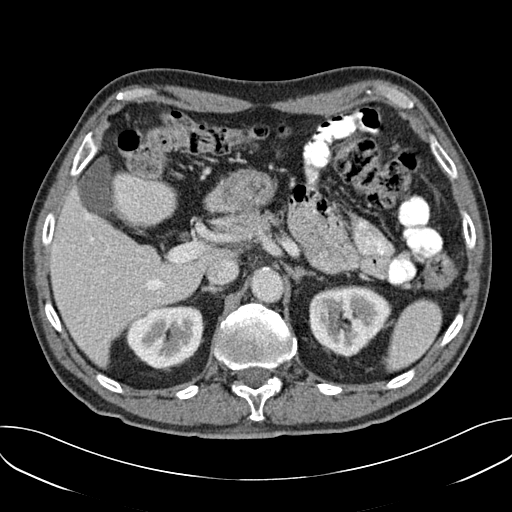
One axial slice (116 of 157, counting up from the lowest) of an arterial-phase abdominal CT acquired with 120 kVp, kernel B30f; each pixel is 0.742 mm and the slice is 3.00 mm thick.
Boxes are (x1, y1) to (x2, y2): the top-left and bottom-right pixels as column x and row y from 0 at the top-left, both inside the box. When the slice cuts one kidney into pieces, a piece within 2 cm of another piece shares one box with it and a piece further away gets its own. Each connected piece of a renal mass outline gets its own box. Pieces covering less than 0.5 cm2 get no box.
Two kidney boxes on this slice; by box centre, from the image's left to its right: (1) Right kidney from (125, 305) to (204, 370) (outlined area 3,944 px, about 21.7 cm2). (2) Left kidney from (309, 285) to (390, 357) (outlined area 4,354 px, about 24.0 cm2).